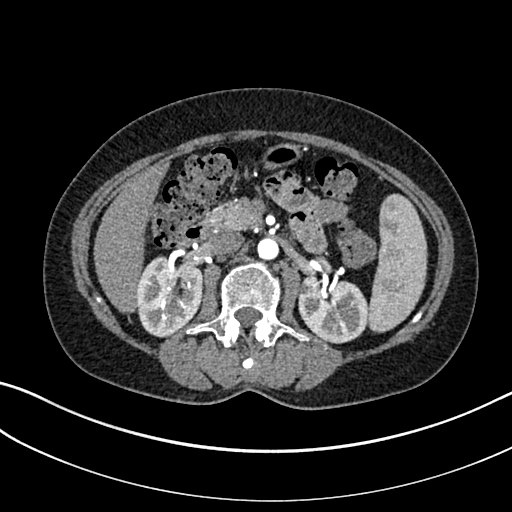
Abdominal CT with intravenous contrast, arterial phase, axial plane, 100 kVp, kernel I30f. Slice 171/325 from the bottom of the scan; thickness 1.00 mm; pixel size 0.703 mm.
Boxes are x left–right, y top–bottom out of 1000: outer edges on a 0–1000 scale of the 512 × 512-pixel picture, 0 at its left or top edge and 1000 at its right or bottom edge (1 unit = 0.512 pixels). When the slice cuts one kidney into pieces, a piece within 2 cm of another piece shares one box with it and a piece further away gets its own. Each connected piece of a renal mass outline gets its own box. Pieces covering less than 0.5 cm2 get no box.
Boxed on this slice (two kidney boxes), listed by box centre from the image's left to its right: (1) Right kidney at x 266–398, y 500–660 out of 1000 (outlined area 4,271 px, about 21.1 cm2). (2) Box x 582–719, y 537–672 out of 1000: left kidney (outlined area 3,795 px, about 18.8 cm2). No renal mass is outlined on this slice.